Abdominal CT with intravenous contrast, arterial phase, axial plane, 120 kVp, kernel B30f. Slice 317/538 from the bottom of the scan; thickness 1.00 mm; pixel size 0.811 mm.
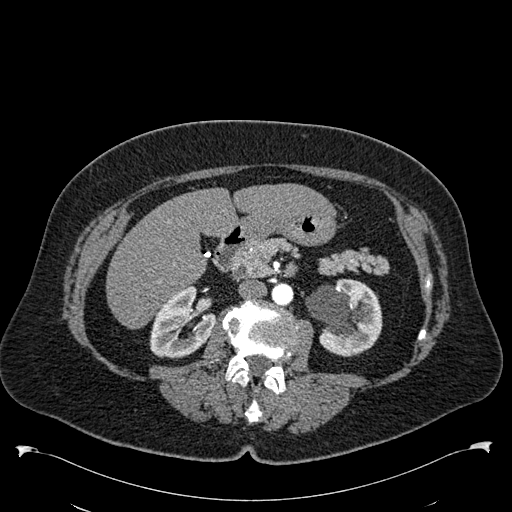
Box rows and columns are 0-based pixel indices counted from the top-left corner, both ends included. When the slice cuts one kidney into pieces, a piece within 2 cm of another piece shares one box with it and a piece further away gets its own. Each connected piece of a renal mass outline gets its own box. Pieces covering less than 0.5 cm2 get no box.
Boxed on this slice (two kidney boxes), listed by box centre from the image's left to its right: (1) Right kidney, box rows 286–358, columns 149–215 (outlined area 3,247 px, about 21.3 cm2). (2) Left kidney at rows 278–355, columns 305–382 (outlined area 4,353 px, about 28.6 cm2). No renal mass outline on this slice.